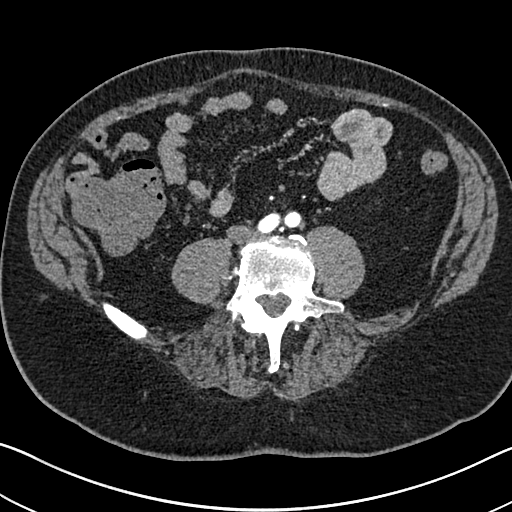
Arterial-phase contrast-enhanced abdominal CT, axial slice 238 of 705 (counted from the lowest slice); tube voltage 120 kVp, convolution kernel I30f; slices 1.00 mm thick, 0.703 mm per pixel.
This slice carries no outline: it lies beyond the outlined kidneys and beyond every outlined renal mass. Other organs are not outlined in this scan.